One axial slice (279 of 538, counting up from the lowest) of an arterial-phase abdominal CT acquired with 120 kVp, kernel B30f; each pixel is 0.811 mm and the slice is 1.00 mm thick.
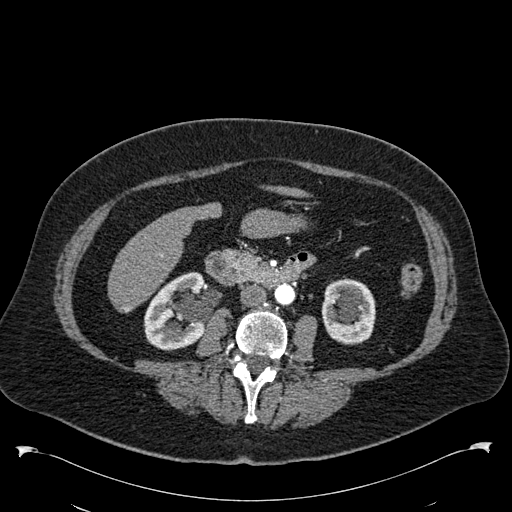
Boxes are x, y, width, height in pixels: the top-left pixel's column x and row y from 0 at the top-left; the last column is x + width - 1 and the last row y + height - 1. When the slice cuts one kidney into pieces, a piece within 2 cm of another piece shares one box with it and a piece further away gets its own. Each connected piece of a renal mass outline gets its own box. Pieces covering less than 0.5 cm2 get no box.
Boxed on this slice (two kidney boxes), listed by box centre from the image's left to its right: (1) Box x 143, y 272, width 63, height 79: right kidney (outlined area 3,725 px, about 24.5 cm2). (2) Box x 321, y 278, width 55, height 67: left kidney (outlined area 2,953 px, about 19.4 cm2). No renal mass outline on this slice.